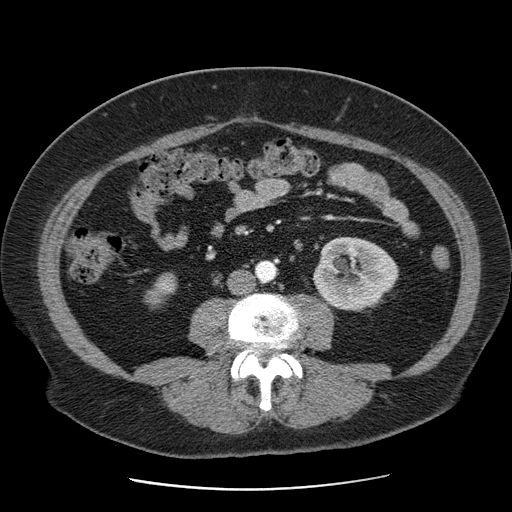
One axial slice (22 of 103, counting up from the lowest) of a contrast-enhanced abdominal CT acquired with 120 kVp, kernel STANDARD; each pixel is 0.736 mm and the slice is 2.50 mm thick.
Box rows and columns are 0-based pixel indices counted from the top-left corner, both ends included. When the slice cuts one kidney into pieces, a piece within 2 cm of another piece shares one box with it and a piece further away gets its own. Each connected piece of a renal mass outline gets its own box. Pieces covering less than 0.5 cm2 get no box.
Two boxes on this slice (two kidney boxes), listed by box centre from the image's left to its right. (1) Right kidney at rows 272–309, columns 143–177 (outlined area 778 px, about 4.2 cm2). (2) Left kidney, box rows 237–311, columns 313–397 (outlined area 4,784 px, about 25.9 cm2). No renal mass outline on this slice.